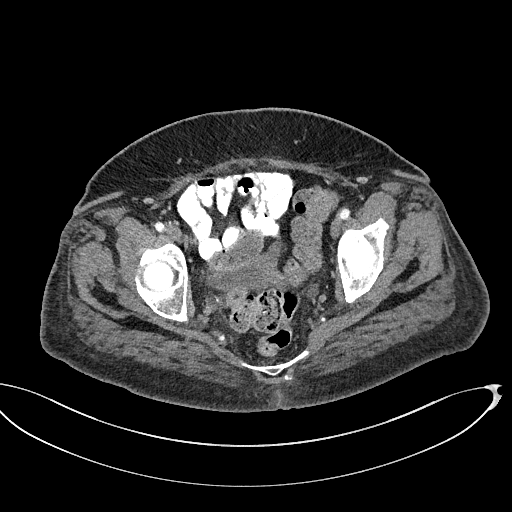
This is axial slice 106 of 439 (slice 1 is the lowest) of an abdominal CT with contrast; each pixel is 0.850 mm and the slice is 2.00 mm thick. This slice carries no outline: it lies beyond the outlined kidneys and beyond every outlined renal mass. Other organs are not outlined in this scan.
Acquired at 100 kVp and reconstructed with the I40f kernel.